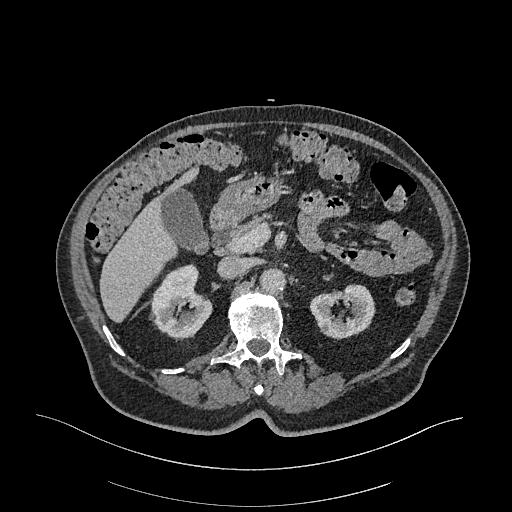
Arterial-phase contrast-enhanced abdominal CT, axial slice 206 of 470 (counted from the lowest slice); tube voltage 120 kVp, convolution kernel I26f; slices 1.00 mm thick, 0.938 mm per pixel.
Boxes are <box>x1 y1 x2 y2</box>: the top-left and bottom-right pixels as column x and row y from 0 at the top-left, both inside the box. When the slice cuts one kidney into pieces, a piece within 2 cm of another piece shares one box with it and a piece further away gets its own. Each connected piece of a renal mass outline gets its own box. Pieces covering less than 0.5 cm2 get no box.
Boxed on this slice (two kidney boxes), listed by box centre from the image's left to its right: (1) At <box>150 263 212 337</box>: right kidney (outlined area 3,123 px, about 27.4 cm2). (2) Left kidney: <box>309 283 375 338</box> (outlined area 2,534 px, about 22.3 cm2). This slice carries no renal mass outline.